Axial slice 227 of 274 of a contrast-enhanced abdominal CT (slice 1 is the lowest), 120 kVp, kernel B31f; 2.00 mm slice thickness and 0.977 mm pixels.
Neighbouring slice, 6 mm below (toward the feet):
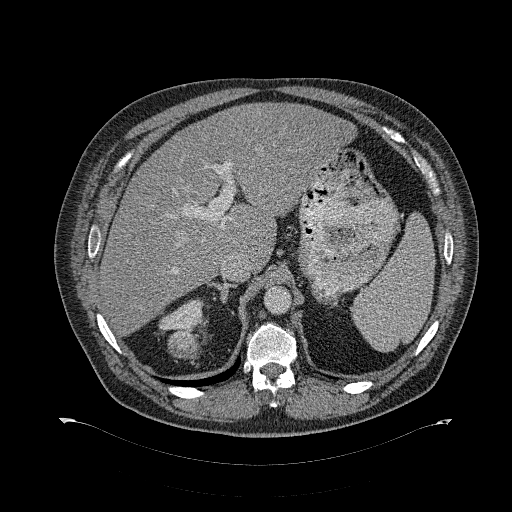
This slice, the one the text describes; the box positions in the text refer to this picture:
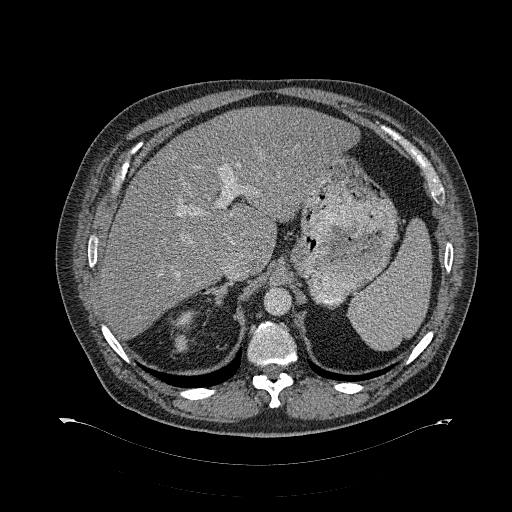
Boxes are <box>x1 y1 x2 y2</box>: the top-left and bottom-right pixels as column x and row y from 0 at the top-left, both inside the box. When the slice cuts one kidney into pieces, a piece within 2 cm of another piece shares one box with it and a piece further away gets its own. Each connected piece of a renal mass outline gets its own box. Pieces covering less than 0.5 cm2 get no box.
One kidney box and one renal mass box on this slice; by box centre, from the image's left to its right: (1) At <box>174 335 188 351</box>: right renal mass (outlined area 197 px, about 1.9 cm2). (2) Right kidney at <box>174 310 195 325</box> (outlined area 215 px, about 2.1 cm2). This slice lies near the end of the right renal mass toward the head; the slice 6 mm below it is shown too, and the boxes mark positions on this slice only.